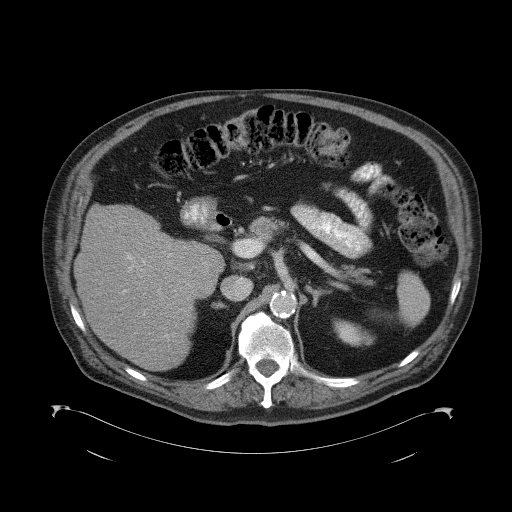
One axial slice (69 of 98, counting up from the lowest) of a contrast-enhanced abdominal CT acquired with 120 kVp, kernel B41f; each pixel is 0.965 mm and the slice is 5.00 mm thick.
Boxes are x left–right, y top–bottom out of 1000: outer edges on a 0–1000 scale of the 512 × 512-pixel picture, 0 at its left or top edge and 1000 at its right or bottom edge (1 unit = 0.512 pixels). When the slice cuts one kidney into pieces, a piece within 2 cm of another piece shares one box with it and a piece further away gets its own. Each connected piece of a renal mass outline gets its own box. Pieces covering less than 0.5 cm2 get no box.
Left kidney at x 650–732, y 623–678 out of 1000 (outlined area 748 px, about 7.0 cm2). This slice carries no renal mass outline.